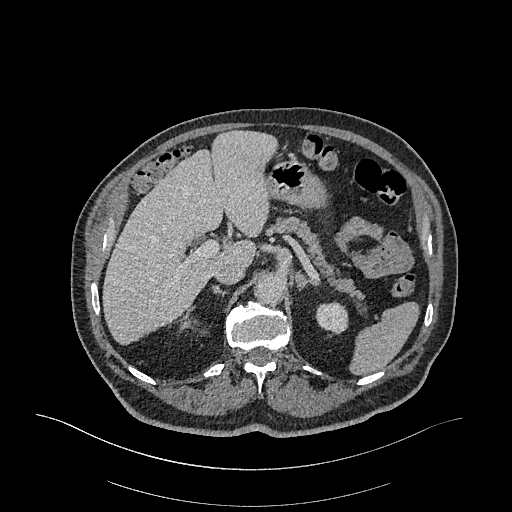
Abdominal CT with intravenous contrast, arterial phase, axial plane, 120 kVp, kernel I26f. Slice 250/470 from the bottom of the scan; thickness 1.00 mm; pixel size 0.938 mm.
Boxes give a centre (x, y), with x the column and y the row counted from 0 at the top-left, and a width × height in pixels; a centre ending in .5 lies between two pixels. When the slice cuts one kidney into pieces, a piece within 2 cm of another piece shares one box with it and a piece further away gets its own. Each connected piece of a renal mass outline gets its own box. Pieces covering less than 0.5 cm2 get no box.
Two kidney boxes on this slice; by box centre, from the image's left to its right: (1) Right kidney in a box with centre (186, 323.5), 11 × 8 pixels (outlined area 60 px, about 0.5 cm2). (2) Left kidney in a box with centre (331.5, 319), 34 × 37 pixels (outlined area 873 px, about 7.7 cm2). No renal mass is outlined on this slice.